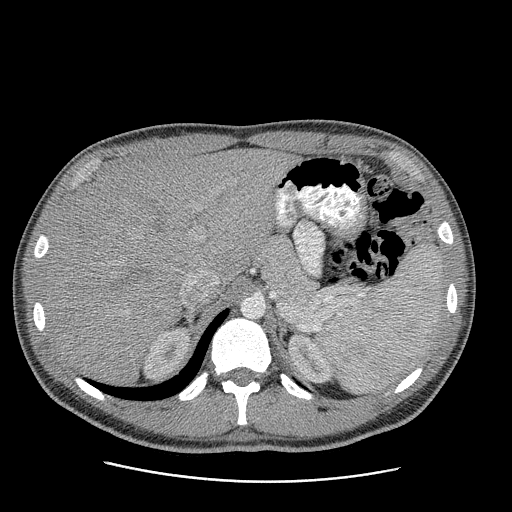
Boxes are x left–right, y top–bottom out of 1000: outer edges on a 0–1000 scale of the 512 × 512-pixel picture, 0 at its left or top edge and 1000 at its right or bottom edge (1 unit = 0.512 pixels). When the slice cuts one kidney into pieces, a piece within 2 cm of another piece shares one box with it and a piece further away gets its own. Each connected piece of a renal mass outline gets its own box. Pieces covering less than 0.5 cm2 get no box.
Arterial-phase contrast-enhanced abdominal CT, axial slice 170 of 199 (counted from the lowest slice); 2.50 mm thick, 0.789 mm per pixel. Two kidney boxes on this slice; by box centre, from the image's left to its right: (1) Right kidney, box x 279–371, y 639–742 out of 1000 (outlined area 1,712 px, about 10.7 cm2). (2) Box x 563–648, y 652–752 out of 1000: left kidney (outlined area 1,482 px, about 9.2 cm2). No renal mass outline on this slice.
Scan settings: 120 kVp, STANDARD reconstruction kernel.